One axial slice (468 of 1059, counting up from the lowest) of an arterial-phase abdominal CT acquired with 100 kVp, kernel I30f; each pixel is 0.811 mm and the slice is 1.00 mm thick.
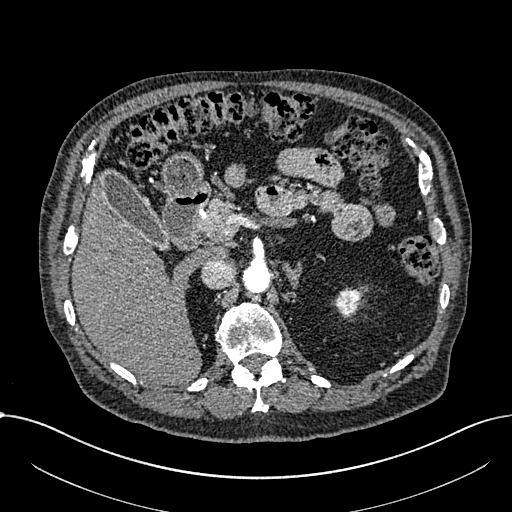
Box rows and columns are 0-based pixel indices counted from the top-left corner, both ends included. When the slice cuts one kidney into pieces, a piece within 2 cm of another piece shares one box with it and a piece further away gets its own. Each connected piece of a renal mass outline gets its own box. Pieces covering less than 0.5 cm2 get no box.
Left part of the midline-crossing kidney at rows 288–318, columns 334–360 (outlined area 587 px, about 3.9 cm2). No renal mass is outlined on this slice.